Arterial-phase contrast-enhanced abdominal CT, axial slice 201 of 470 (counted from the lowest slice); tube voltage 120 kVp, convolution kernel I26f; slices 1.00 mm thick, 0.938 mm per pixel.
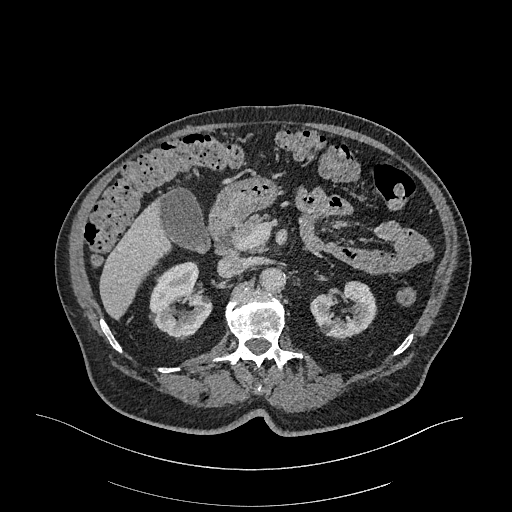
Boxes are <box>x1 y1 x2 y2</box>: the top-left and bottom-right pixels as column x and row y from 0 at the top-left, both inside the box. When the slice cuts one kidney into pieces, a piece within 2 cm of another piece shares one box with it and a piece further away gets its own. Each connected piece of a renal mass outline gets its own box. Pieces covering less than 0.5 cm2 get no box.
Two boxes on this slice (two kidney boxes), listed by box centre from the image's left to its right. (1) At <box>149 261 212 337</box>: right kidney (outlined area 3,422 px, about 30.1 cm2). (2) At <box>310 280 376 339</box>: left kidney (outlined area 2,649 px, about 23.3 cm2). No renal mass outline on this slice.